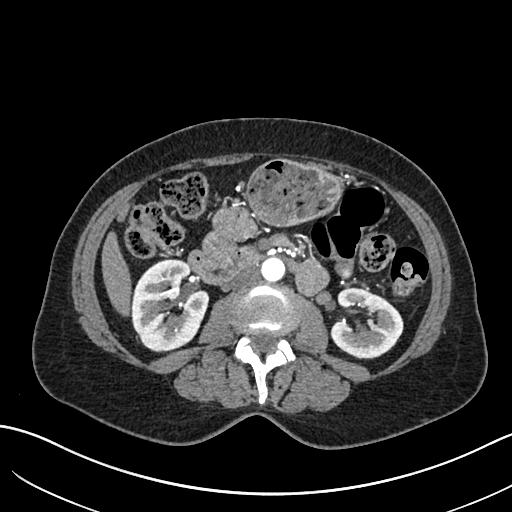
Arterial-phase contrast-enhanced abdominal CT, axial slice 343 of 683 (counted from the lowest slice); tube voltage 120 kVp, convolution kernel I30f; slices 1.00 mm thick, 0.738 mm per pixel.
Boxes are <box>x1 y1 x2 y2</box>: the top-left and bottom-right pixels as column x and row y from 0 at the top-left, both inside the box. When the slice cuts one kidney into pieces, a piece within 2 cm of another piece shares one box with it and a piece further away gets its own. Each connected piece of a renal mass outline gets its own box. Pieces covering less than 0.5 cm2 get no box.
Two kidney boxes on this slice; by box centre, from the image's left to its right: (1) Right kidney at <box>131 258 209 351</box> (outlined area 5,498 px, about 30.0 cm2). (2) Left kidney: <box>329 288 403 359</box> (outlined area 3,729 px, about 20.3 cm2). No renal mass outline on this slice.